One axial slice (275 of 735, counting up from the lowest) of an arterial-phase abdominal CT acquired with 120 kVp, kernel I30f; each pixel is 0.789 mm and the slice is 1.00 mm thick.
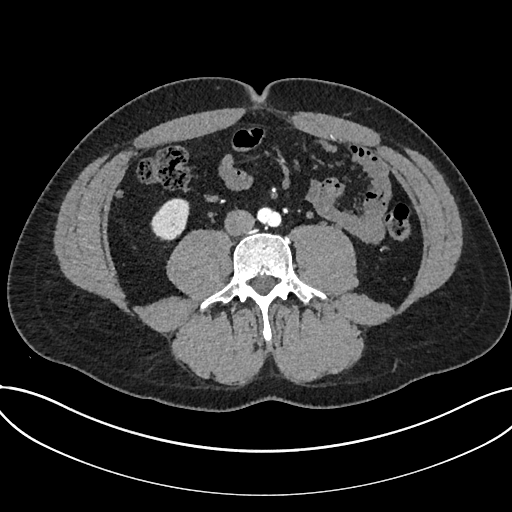
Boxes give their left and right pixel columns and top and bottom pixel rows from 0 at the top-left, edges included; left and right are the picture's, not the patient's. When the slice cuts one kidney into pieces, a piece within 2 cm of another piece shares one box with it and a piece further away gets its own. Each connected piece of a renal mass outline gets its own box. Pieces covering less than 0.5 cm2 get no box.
Box with left 150, top 198, right 189, bottom 241: kidney (outlined area 1,251 px, about 7.8 cm2). No renal mass is outlined on this slice.